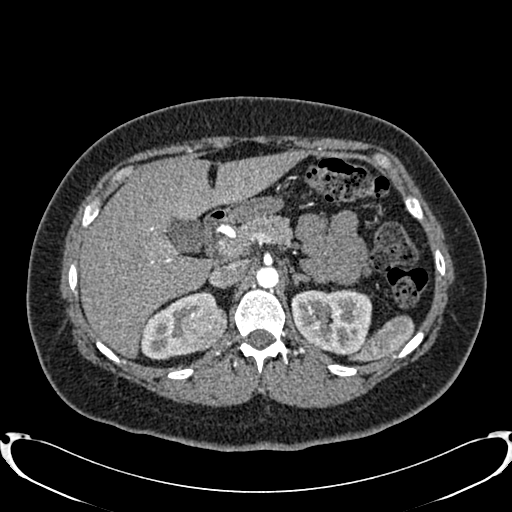
Axial slice 553 of 719 of a contrast-enhanced abdominal CT in the arterial phase (slice 1 is the lowest), 120 kVp, kernel B20f; 1.00 mm slice thickness and 0.766 mm pixels.
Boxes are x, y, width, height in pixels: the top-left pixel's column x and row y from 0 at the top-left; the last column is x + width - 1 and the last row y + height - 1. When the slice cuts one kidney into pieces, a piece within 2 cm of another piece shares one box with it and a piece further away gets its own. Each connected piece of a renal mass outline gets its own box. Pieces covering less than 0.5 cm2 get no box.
Two kidney boxes and one renal mass box on this slice; by box centre, from the image's left to its right: (1) Box x 140, y 291, width 80, height 69: right kidney (outlined area 2,780 px, about 16.3 cm2). (2) Right renal mass, box x 180, y 307, width 48, height 41 (outlined area 1,447 px, about 8.5 cm2). (3) Left kidney at x 291, y 289, width 82, height 67 (outlined area 4,295 px, about 25.2 cm2).